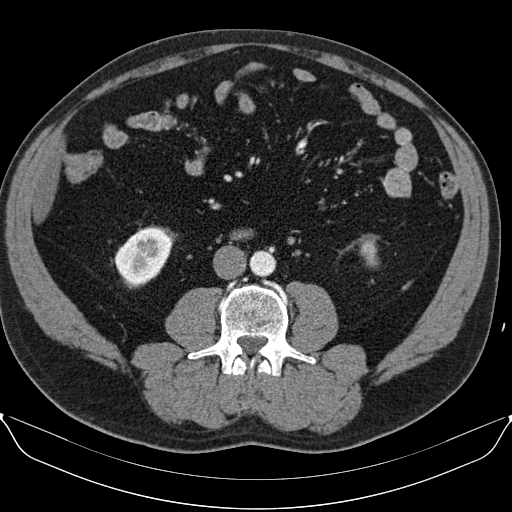
Arterial-phase contrast-enhanced abdominal CT, axial slice 30 of 96 (counted from the lowest slice); tube voltage 130 kVp, convolution kernel B30s; slices 3.00 mm thick, 0.781 mm per pixel.
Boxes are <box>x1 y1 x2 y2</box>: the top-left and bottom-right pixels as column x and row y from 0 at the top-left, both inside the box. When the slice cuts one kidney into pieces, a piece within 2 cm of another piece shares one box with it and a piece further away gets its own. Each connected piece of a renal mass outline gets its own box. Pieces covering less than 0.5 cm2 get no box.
Boxed on this slice (two kidney boxes), listed by box centre from the image's left to its right: (1) Right kidney: <box>114 226 172 287</box> (outlined area 2,439 px, about 14.9 cm2). (2) Left kidney at <box>360 240 378 267</box> (outlined area 390 px, about 2.4 cm2). No renal mass is outlined on this slice.